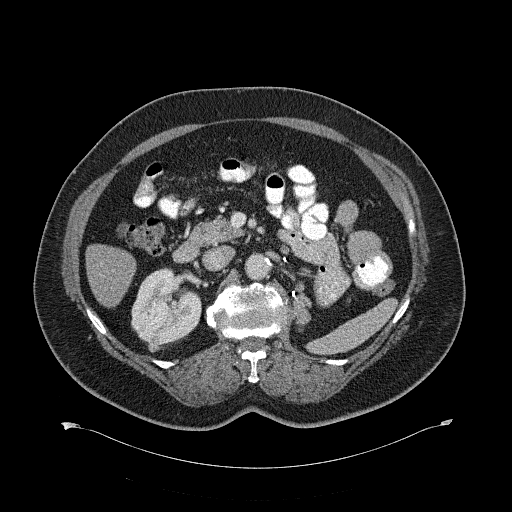
Contrast-enhanced abdominal CT, axial slice 377 of 734 (counted from the lowest slice); tube voltage 120 kVp, convolution kernel B31f; slices 2.00 mm thick, 0.971 mm per pixel.
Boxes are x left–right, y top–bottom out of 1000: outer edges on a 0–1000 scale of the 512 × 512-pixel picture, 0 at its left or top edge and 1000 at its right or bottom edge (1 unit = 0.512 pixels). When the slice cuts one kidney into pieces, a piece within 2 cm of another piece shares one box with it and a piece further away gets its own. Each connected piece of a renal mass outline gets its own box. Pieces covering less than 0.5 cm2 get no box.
Boxed on this slice (one kidney box and one renal mass box), listed by box centre from the image's left to its right: (1) Box x 287–313, y 658–686 out of 1000: right renal mass (outlined area 139 px, about 1.3 cm2). (2) Box x 256–395, y 521–682 out of 1000: right kidney (outlined area 3,967 px, about 37.4 cm2).